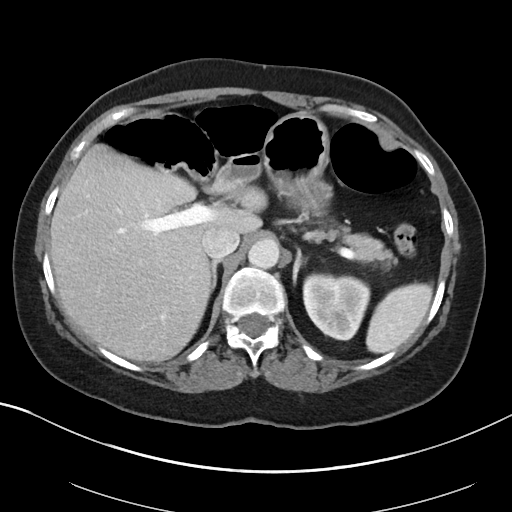
Arterial-phase contrast-enhanced abdominal CT, axial slice 68 of 88 (counted from the lowest slice); tube voltage 100 kVp, convolution kernel I40f; slices 5.00 mm thick, 0.705 mm per pixel.
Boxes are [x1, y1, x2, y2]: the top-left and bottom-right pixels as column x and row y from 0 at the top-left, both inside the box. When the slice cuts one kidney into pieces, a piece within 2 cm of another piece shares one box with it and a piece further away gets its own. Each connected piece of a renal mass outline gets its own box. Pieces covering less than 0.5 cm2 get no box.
Box [302, 272, 370, 340]: left kidney (outlined area 3,593 px, about 17.9 cm2). No renal mass is outlined on this slice.